Arterial-phase contrast-enhanced abdominal CT, axial slice 360 of 602 (counted from the lowest slice); tube voltage 120 kVp, convolution kernel I30f; slices 1.00 mm thick, 0.799 mm per pixel.
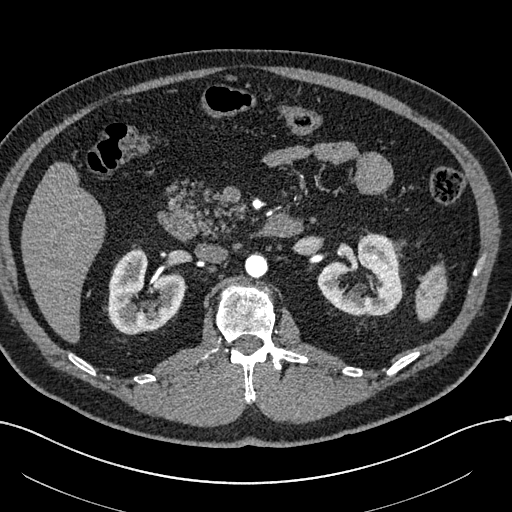
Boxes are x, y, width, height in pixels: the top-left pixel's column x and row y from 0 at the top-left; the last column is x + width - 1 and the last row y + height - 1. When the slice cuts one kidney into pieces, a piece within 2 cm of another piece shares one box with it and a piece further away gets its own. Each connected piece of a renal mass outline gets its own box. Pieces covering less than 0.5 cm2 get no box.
Boxed on this slice (two kidney boxes), listed by box centre from the image's left to its right: (1) Box x 108, y 248, width 77, height 87: right kidney (outlined area 4,567 px, about 29.1 cm2). (2) Box x 317, y 234, width 85, height 82: left kidney (outlined area 4,682 px, about 29.9 cm2). No renal mass outline on this slice.